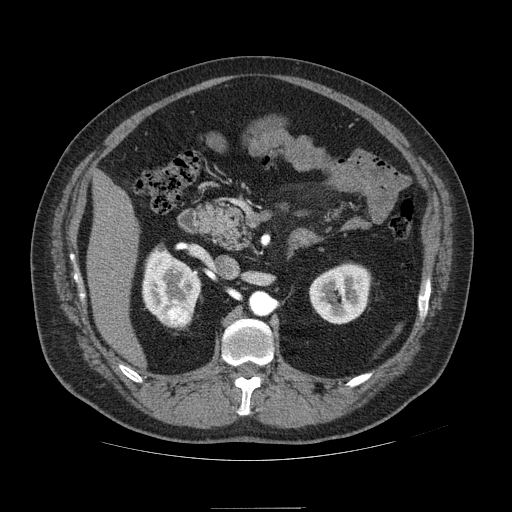
Axial slice 59 of 121 of a contrast-enhanced abdominal CT in the arterial phase (slice 1 is the lowest), 120 kVp, kernel STANDARD; 2.50 mm slice thickness and 0.861 mm pixels.
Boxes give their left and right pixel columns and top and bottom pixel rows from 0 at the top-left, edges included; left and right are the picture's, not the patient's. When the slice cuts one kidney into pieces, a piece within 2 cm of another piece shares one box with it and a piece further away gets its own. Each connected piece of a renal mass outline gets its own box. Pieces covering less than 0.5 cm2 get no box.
Boxed on this slice (two kidney boxes and one renal mass box), listed by box centre from the image's left to its right: (1) Box with left 142, top 245, right 200, bottom 323: right kidney (outlined area 2,891 px, about 21.4 cm2). (2) Box with left 163, top 304, right 192, bottom 328: right renal mass (outlined area 613 px, about 4.5 cm2). (3) Box with left 309, top 263, right 371, bottom 324: left kidney (outlined area 2,902 px, about 21.5 cm2).